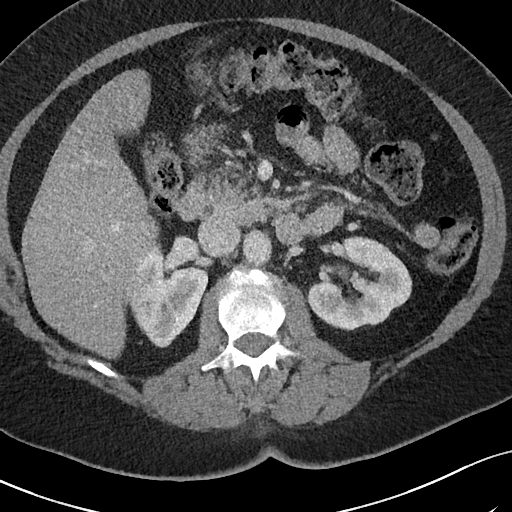
One axial slice (46 of 69, counting up from the lowest) of an arterial-phase abdominal CT acquired with 120 kVp, kernel I40f; each pixel is 0.664 mm and the slice is 3.00 mm thick.
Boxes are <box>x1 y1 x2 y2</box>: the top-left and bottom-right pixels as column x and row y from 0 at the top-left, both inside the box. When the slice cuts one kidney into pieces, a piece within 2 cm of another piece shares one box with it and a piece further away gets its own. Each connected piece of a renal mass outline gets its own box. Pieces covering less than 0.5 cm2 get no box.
Two boxes on this slice (two kidney boxes), listed by box centre from the image's left to its right. (1) Right kidney: <box>128 245 208 347</box> (outlined area 5,469 px, about 24.1 cm2). (2) Left kidney: <box>307 236 412 330</box> (outlined area 6,625 px, about 29.2 cm2). No renal mass outline on this slice.